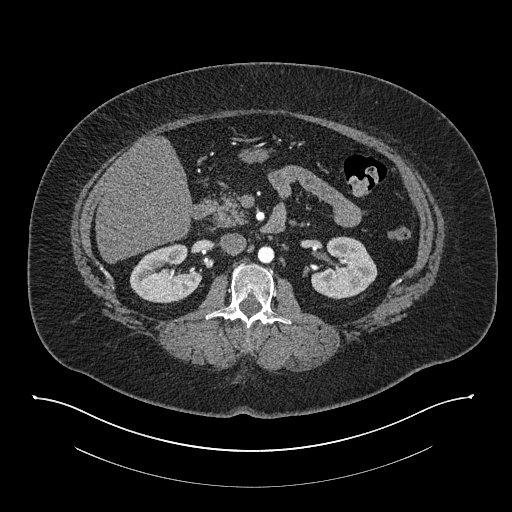
One axial slice (462 of 673, counting up from the lowest) of an arterial-phase abdominal CT acquired with 140 kVp, kernel I30f; each pixel is 0.957 mm and the slice is 1.00 mm thick.
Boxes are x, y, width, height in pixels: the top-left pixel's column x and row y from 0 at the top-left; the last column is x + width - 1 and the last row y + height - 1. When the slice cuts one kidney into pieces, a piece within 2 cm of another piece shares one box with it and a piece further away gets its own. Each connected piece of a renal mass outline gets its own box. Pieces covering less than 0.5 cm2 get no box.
Boxed on this slice (two kidney boxes), listed by box centre from the image's left to its right: (1) Right kidney at x 129, y 243, width 74, height 61 (outlined area 3,052 px, about 28.0 cm2). (2) Box x 311, y 236, width 67, height 64: left kidney (outlined area 3,002 px, about 27.5 cm2). No renal mass outline on this slice.